One axial slice (579 of 987, counting up from the lowest) of an arterial-phase abdominal CT acquired with 120 kVp, kernel I26f; each pixel is 0.977 mm and the slice is 1.00 mm thick.
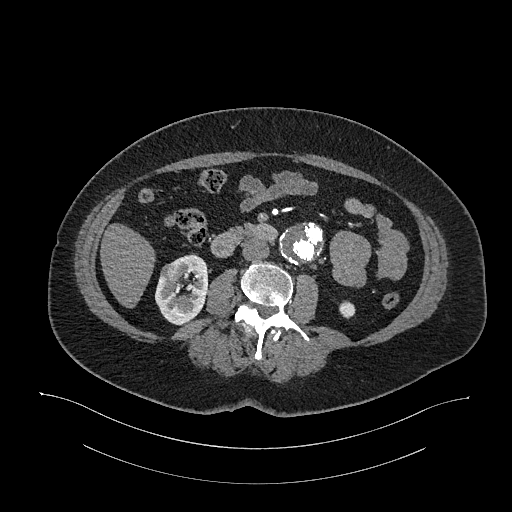
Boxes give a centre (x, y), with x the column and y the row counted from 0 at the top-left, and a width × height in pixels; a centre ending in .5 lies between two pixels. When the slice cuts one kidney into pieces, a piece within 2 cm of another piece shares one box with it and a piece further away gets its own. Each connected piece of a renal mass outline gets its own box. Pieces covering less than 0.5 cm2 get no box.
Two kidney boxes and one renal mass box on this slice; by box centre, from the image's left to its right: (1) Box centre (171, 272), 23 × 19 pixels: right renal mass (outlined area 323 px, about 3.1 cm2). (2) Right kidney in a box with centre (181, 289), 55 × 73 pixels (outlined area 2,542 px, about 24.2 cm2). (3) Box centre (347, 309.5), 17 × 18 pixels: left kidney (outlined area 231 px, about 2.2 cm2).